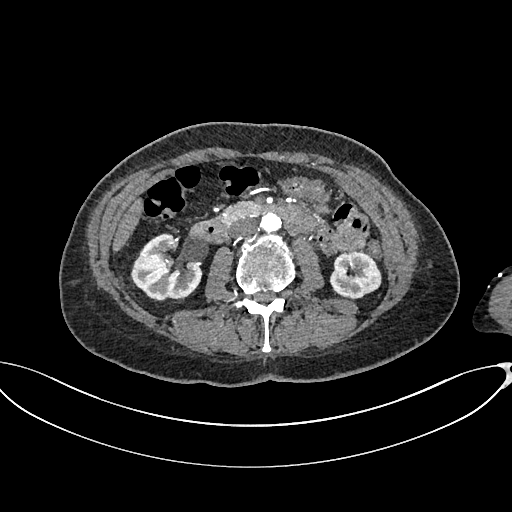
Axial slice 356 of 665 of a contrast-enhanced abdominal CT in the arterial phase (slice 1 is the lowest), 100 kVp, kernel I26f; 1.00 mm slice thickness and 0.828 mm pixels.
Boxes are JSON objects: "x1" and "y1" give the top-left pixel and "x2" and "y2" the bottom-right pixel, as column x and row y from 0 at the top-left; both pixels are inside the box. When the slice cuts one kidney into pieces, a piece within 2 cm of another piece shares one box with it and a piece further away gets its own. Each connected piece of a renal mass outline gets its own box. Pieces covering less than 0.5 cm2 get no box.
Boxed on this slice (two kidney boxes), listed by box centre from the image's left to its right: (1) Right kidney, box {"x1": 130, "y1": 233, "x2": 202, "y2": 302} (outlined area 3,406 px, about 23.4 cm2). (2) Left kidney at {"x1": 329, "y1": 251, "x2": 381, "y2": 299} (outlined area 1,945 px, about 13.3 cm2). No renal mass outline on this slice.